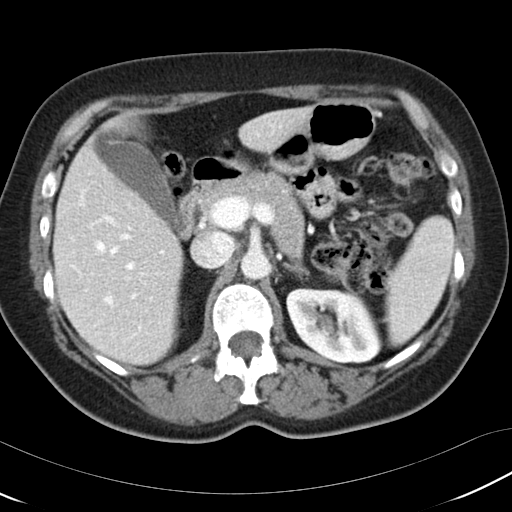
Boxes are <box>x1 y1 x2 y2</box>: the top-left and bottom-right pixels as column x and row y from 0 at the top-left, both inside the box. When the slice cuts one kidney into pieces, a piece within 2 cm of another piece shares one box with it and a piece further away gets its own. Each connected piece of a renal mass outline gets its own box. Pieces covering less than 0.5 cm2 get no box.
Slice 72/97 of a contrast-enhanced abdominal CT, counting up from the lowest; pixel size 0.664 mm, slice thickness 5.00 mm. Left kidney: <box>286 287 382 363</box> (outlined area 5,519 px, about 24.3 cm2). This slice carries no renal mass outline.
Tube voltage 120 kVp; convolution kernel B30f.